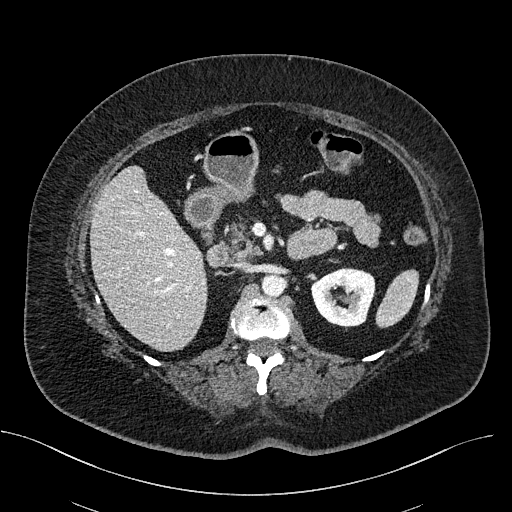
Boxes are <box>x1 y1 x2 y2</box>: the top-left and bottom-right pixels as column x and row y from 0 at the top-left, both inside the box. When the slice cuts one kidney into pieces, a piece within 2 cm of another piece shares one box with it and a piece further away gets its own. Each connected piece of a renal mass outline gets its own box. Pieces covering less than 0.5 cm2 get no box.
Slice 319/470 of a contrast-enhanced abdominal CT, counting up from the lowest; pixel size 0.824 mm, slice thickness 2.00 mm. Left kidney at <box>310 267 375 326</box> (outlined area 2,924 px, about 19.9 cm2). No renal mass is outlined on this slice.
Tube voltage 100 kVp; convolution kernel I40f.